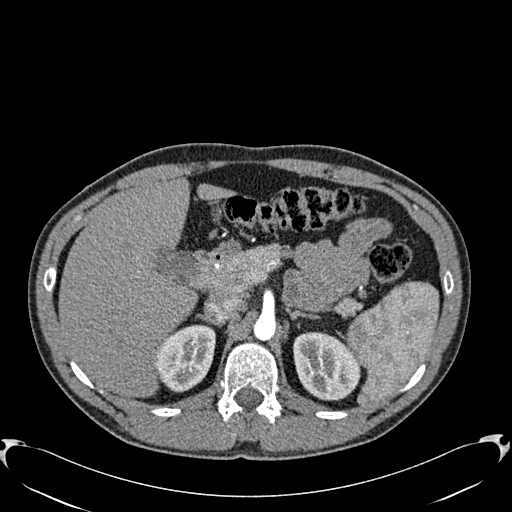
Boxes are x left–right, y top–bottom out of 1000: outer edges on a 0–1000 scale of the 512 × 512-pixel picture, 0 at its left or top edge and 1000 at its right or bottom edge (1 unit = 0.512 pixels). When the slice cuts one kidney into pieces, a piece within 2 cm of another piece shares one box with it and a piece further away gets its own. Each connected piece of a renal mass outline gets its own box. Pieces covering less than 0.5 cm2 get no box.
This is axial slice 420 of 512 (slice 1 is the lowest) of an arterial-phase abdominal CT with contrast; each pixel is 0.771 mm and the slice is 1.00 mm thick. Two boxes on this slice (two kidney boxes), listed by box centre from the image's left to its right. (1) Right kidney at x 303–422, y 633–768 out of 1000 (outlined area 3,083 px, about 18.3 cm2). (2) Box x 572–705, y 648–783 out of 1000: left kidney (outlined area 3,593 px, about 21.4 cm2). No renal mass is outlined on this slice.
Scan settings: 120 kVp, B30f reconstruction kernel.